Abdominal CT with intravenous contrast, arterial phase, axial plane, 120 kVp, kernel B31f. Slice 19/49 from the bottom of the scan; thickness 5.00 mm; pixel size 0.691 mm.
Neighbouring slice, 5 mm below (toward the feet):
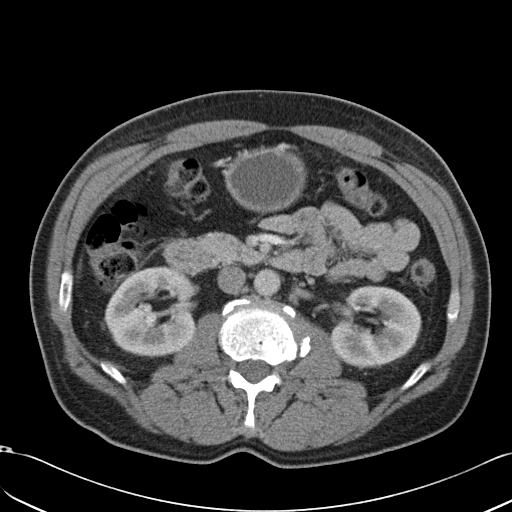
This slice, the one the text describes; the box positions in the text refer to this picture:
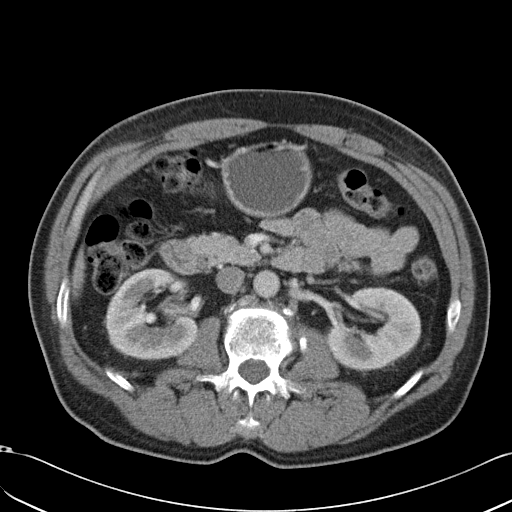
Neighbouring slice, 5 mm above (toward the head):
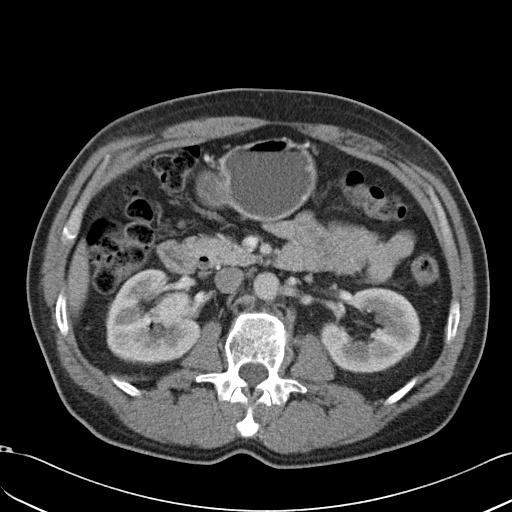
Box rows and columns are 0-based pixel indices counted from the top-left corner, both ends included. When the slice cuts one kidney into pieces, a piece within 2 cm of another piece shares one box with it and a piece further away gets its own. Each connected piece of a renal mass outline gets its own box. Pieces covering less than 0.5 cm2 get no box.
Boxed on this slice (two kidney boxes and one renal mass box), listed by box centre from the image's left to its right: (1) Right kidney at rows 268–360, columns 106–199 (outlined area 5,708 px, about 27.3 cm2). (2) Right renal mass, box rows 294–320, columns 158–192 (outlined area 628 px, about 3.0 cm2). (3) Left kidney at rows 286–373, columns 329–421 (outlined area 5,569 px, about 26.6 cm2). This slice lies near the end of the right renal mass toward the feet; the slices 5 mm below and 5 mm above it are shown too, and the boxes mark positions on this slice only.